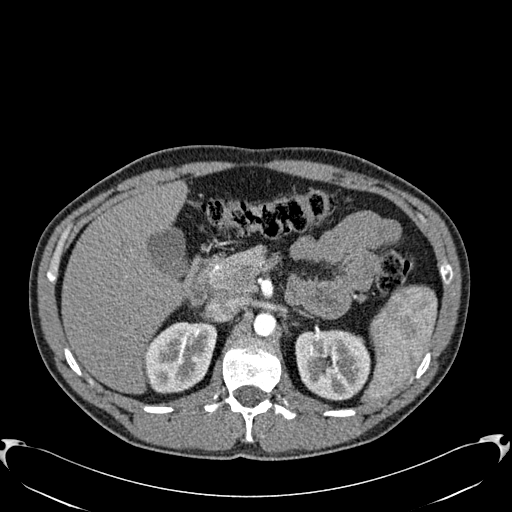
One axial slice (405 of 512, counting up from the lowest) of an arterial-phase abdominal CT acquired with 120 kVp, kernel B30f; each pixel is 0.771 mm and the slice is 1.00 mm thick.
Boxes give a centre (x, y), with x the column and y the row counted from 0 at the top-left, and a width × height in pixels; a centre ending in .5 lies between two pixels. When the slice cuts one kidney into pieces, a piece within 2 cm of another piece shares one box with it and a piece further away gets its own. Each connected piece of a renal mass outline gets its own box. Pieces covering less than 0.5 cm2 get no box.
Two kidney boxes on this slice; by box centre, from the image's left to its right: (1) Right kidney, box centre (180.5, 357), 74 × 73 pixels (outlined area 4,096 px, about 24.4 cm2). (2) Left kidney, box centre (332.5, 364.5), 76 × 72 pixels (outlined area 4,415 px, about 26.3 cm2). This slice carries no renal mass outline.